Axial slice 175 of 326 of a contrast-enhanced abdominal CT in the arterial phase (slice 1 is the lowest), 120 kVp, kernel B31f; 2.00 mm slice thickness and 0.963 mm pixels.
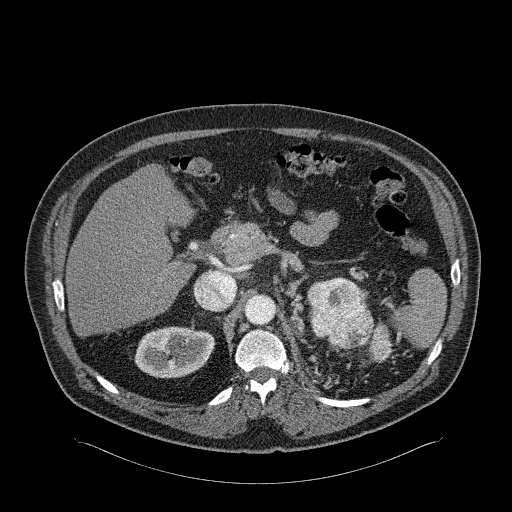
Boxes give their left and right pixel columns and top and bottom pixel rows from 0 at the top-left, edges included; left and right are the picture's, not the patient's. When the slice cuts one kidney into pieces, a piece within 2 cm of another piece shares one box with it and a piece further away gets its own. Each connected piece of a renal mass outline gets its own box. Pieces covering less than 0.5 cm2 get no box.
Two kidney boxes and two renal mass boxes on this slice; by box centre, from the image's left to its right: (1) Box with left 134, top 326, right 215, bottom 378: right kidney (outlined area 3,330 px, about 30.9 cm2). (2) Left kidney, the box with left 306, top 280, right 322, bottom 308 (outlined area 170 px, about 1.6 cm2). (3) Box with left 309, top 277, right 374, bottom 350: left renal mass (outlined area 3,638 px, about 33.7 cm2). (4) Left renal mass, the box with left 368, top 322, right 393, bottom 363 (outlined area 712 px, about 6.6 cm2); it sits over 1 cm from every kidney outline on this slice, but the same outlined renal mass comes within 1 cm of the kidney on another slice.